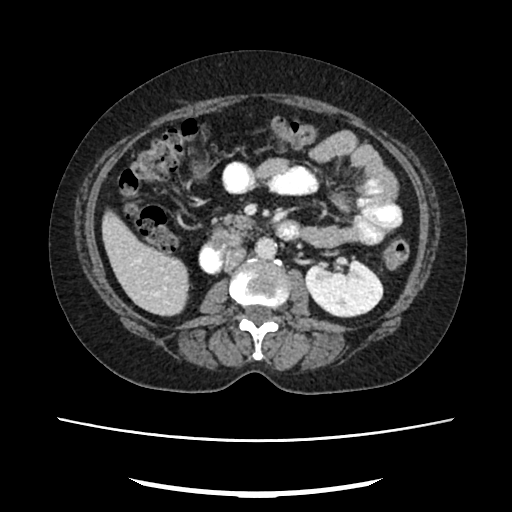
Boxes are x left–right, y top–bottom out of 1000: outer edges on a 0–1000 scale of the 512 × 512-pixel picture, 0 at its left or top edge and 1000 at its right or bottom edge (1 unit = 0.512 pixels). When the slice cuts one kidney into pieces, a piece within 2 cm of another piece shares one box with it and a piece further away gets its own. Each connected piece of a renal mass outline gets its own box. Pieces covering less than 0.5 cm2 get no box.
Arterial-phase contrast-enhanced abdominal CT, axial slice 130 of 207 (counted from the lowest slice); 2.00 mm thick, 0.741 mm per pixel. Box x 594–750, y 506–621 out of 1000: left kidney (outlined area 3,572 px, about 19.6 cm2). No renal mass is outlined on this slice.
Acquired at 120 kVp and reconstructed with the FC18 kernel.